Axial slice 219 of 620 of a contrast-enhanced abdominal CT in the arterial phase (slice 1 is the lowest), 120 kVp, kernel B31f; 2.00 mm slice thickness and 0.637 mm pixels.
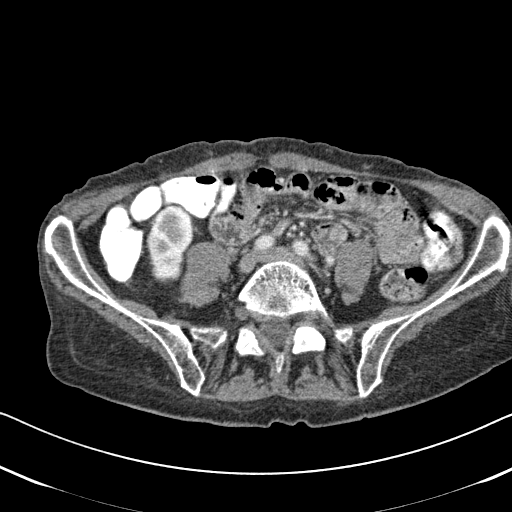
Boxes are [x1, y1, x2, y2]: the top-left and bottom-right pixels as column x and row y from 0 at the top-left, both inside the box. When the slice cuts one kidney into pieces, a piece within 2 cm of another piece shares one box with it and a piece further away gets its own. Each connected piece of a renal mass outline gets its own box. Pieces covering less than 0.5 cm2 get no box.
Box [145, 204, 194, 283]: right kidney (outlined area 2,926 px, about 11.9 cm2). No renal mass is outlined on this slice.